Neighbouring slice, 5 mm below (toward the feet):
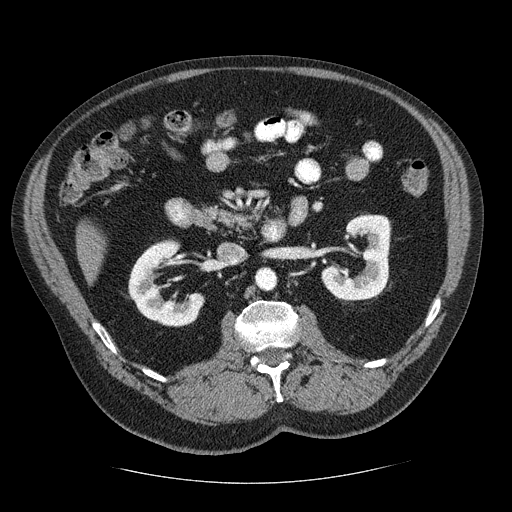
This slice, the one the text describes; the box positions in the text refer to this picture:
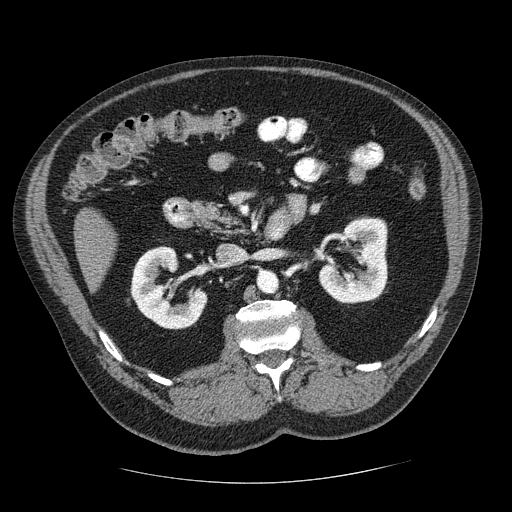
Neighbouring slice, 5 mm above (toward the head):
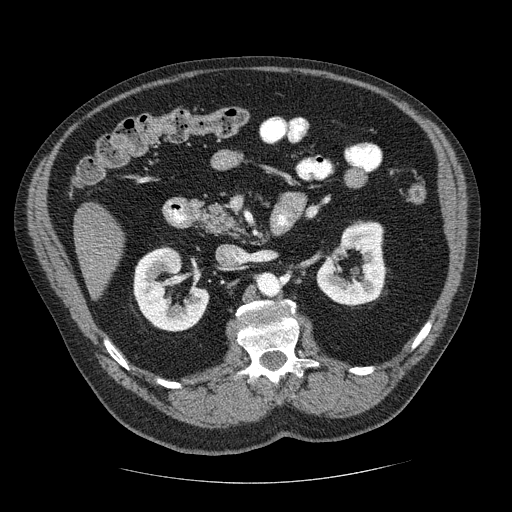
Contrast-enhanced abdominal CT, axial slice 134 of 206 (counted from the lowest slice); tube voltage 120 kVp, convolution kernel STANDARD; slices 2.50 mm thick, 0.879 mm per pixel.
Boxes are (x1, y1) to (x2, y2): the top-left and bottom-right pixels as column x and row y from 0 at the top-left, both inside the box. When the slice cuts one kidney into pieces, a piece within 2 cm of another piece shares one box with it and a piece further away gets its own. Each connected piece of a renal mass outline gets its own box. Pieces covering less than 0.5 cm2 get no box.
Boxed on this slice (two kidney boxes and one renal mass box), listed by box centre from the image's left to its right: (1) Right kidney, box (130, 246) to (207, 329) (outlined area 3,935 px, about 30.4 cm2). (2) Right renal mass from (168, 259) to (179, 273) (outlined area 138 px, about 1.1 cm2). (3) Left kidney from (319, 216) to (388, 304) (outlined area 4,316 px, about 33.3 cm2). This slice is near the end of the right renal mass toward the feet, so the slices 5 mm below and 5 mm above it are shown as well; the boxes refer to this slice only.